Contrast-enhanced abdominal CT, axial slice 64 of 102 (counted from the lowest slice); tube voltage 120 kVp, convolution kernel B41f; slices 5.00 mm thick, 0.807 mm per pixel.
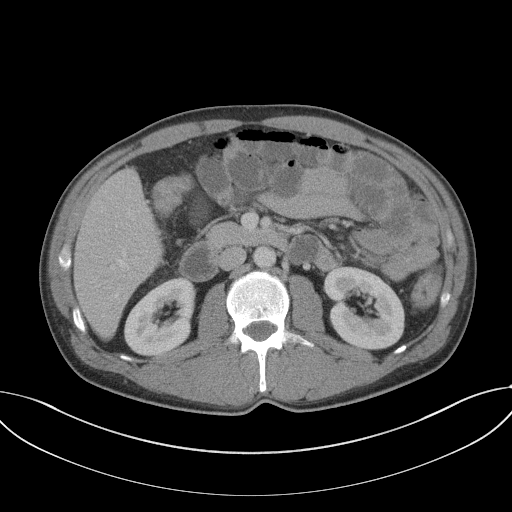
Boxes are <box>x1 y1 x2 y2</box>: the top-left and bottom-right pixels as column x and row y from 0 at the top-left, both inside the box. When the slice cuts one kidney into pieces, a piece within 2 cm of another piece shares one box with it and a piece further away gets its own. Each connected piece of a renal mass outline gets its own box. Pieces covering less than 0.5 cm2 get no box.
Two boxes on this slice (two kidney boxes), listed by box centre from the image's left to its right. (1) Right kidney: <box>123 276 196 355</box> (outlined area 4,117 px, about 26.8 cm2). (2) Left kidney at <box>323 266 404 348</box> (outlined area 5,012 px, about 32.6 cm2). This slice carries no renal mass outline.